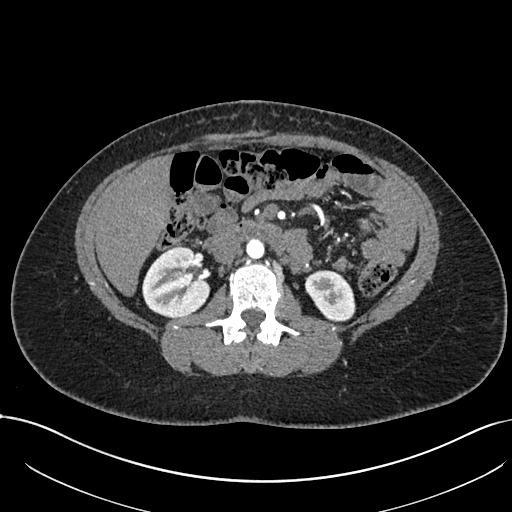
Abdominal CT with intravenous contrast, arterial phase, axial plane, 120 kVp, kernel I30f. Slice 407/738 from the bottom of the scan; thickness 1.00 mm; pixel size 0.789 mm.
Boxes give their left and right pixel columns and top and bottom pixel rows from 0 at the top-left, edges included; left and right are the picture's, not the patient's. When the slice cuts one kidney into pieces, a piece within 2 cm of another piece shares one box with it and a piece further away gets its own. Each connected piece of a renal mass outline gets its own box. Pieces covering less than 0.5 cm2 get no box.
Boxed on this slice (two kidney boxes), listed by box centre from the image's left to its right: (1) Right kidney, the box with left 142, top 246, right 208, bottom 317 (outlined area 3,648 px, about 22.7 cm2). (2) Left kidney in the box with left 304, top 270, right 355, bottom 322 (outlined area 1,956 px, about 12.2 cm2). No renal mass outline on this slice.